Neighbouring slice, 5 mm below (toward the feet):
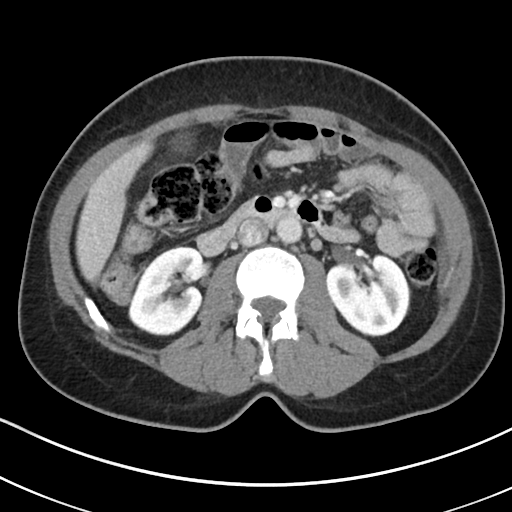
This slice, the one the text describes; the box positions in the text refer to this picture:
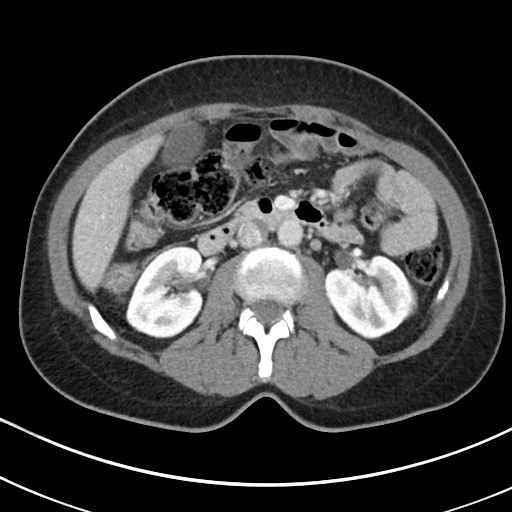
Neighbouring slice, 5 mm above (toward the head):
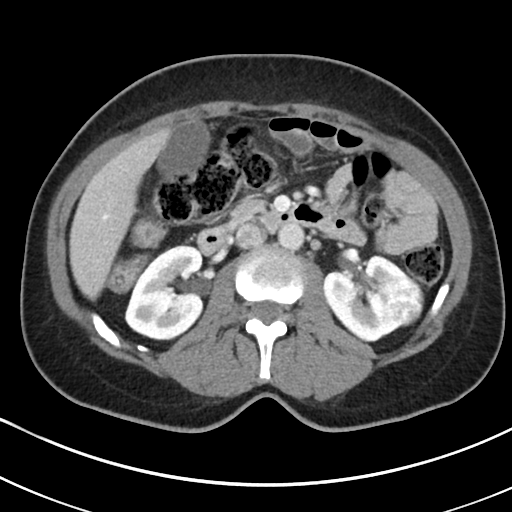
Abdominal CT with intravenous contrast, axial plane, 100 kVp, kernel I30f. Slice 111/178 from the bottom of the scan; thickness 5.00 mm; pixel size 0.650 mm.
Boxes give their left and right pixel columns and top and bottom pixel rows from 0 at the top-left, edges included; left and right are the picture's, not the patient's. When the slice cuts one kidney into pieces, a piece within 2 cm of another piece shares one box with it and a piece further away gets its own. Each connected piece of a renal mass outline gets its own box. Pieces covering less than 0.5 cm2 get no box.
Two kidney boxes and one renal mass box on this slice; by box centre, from the image's left to its right: (1) Box with left 125, top 246, right 204, bottom 338: right kidney (outlined area 5,535 px, about 23.4 cm2). (2) Left kidney in the box with left 323, top 254, right 417, bottom 339 (outlined area 5,367 px, about 22.7 cm2). (3) Box with left 394, top 291, right 414, bottom 310: left renal mass (outlined area 315 px, about 1.3 cm2). This slice is near the end of the left renal mass toward the feet, so the slices 5 mm below and 5 mm above it are shown as well; the boxes refer to this slice only.